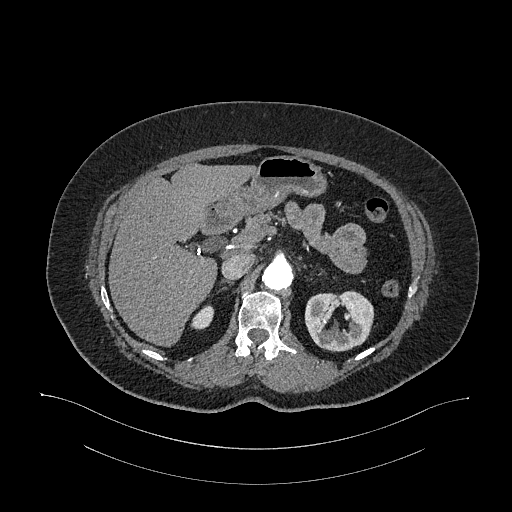
Arterial-phase contrast-enhanced abdominal CT, axial slice 731 of 987 (counted from the lowest slice); tube voltage 120 kVp, convolution kernel I26f; slices 1.00 mm thick, 0.977 mm per pixel.
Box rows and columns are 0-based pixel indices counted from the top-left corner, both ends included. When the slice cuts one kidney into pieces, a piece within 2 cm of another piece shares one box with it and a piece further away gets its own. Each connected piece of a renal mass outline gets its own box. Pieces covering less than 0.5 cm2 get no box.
Two boxes on this slice (two kidney boxes), listed by box centre from the image's left to its right. (1) Right kidney, box rows 305–329, columns 190–214 (outlined area 402 px, about 3.8 cm2). (2) Left kidney at rows 290–351, columns 304–374 (outlined area 3,170 px, about 30.2 cm2). This slice carries no renal mass outline.